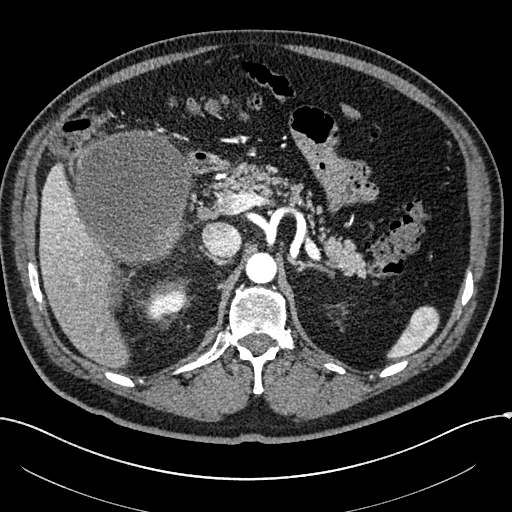
Axial slice 164 of 304 of a contrast-enhanced abdominal CT in the arterial phase (slice 1 is the lowest), 100 kVp, kernel I30f; 2.00 mm slice thickness and 0.809 mm pixels.
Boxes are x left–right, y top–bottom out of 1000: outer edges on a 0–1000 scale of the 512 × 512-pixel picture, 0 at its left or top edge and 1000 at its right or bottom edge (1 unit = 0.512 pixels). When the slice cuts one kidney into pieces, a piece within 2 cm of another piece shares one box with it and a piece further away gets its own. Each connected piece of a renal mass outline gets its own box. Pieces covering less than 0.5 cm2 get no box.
Two boxes on this slice (one kidney box and one renal mass box), listed by box centre from the image's left to its right. (1) Box x 146–379, y 252–523 out of 1000: right renal mass (outlined area 12,630 px, about 82.6 cm2); it sits over 1 cm from every kidney outline on this slice, but the same outlined renal mass comes within 1 cm of the kidney on another slice. (2) Right kidney at x 289–367, y 557–623 out of 1000 (outlined area 994 px, about 6.5 cm2).